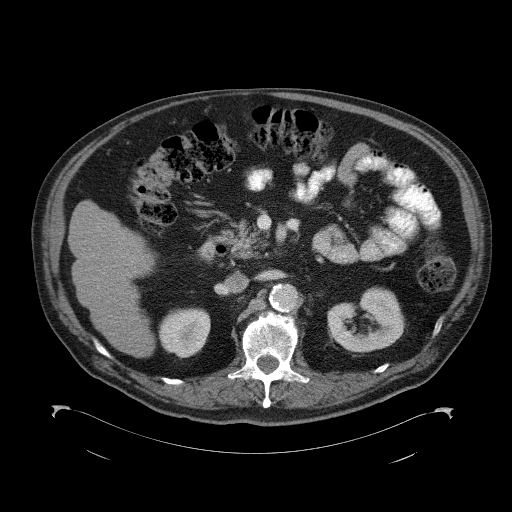
Axial slice 63 of 98 of a contrast-enhanced abdominal CT (slice 1 is the lowest), 120 kVp, kernel B41f; 5.00 mm slice thickness and 0.965 mm pixels.
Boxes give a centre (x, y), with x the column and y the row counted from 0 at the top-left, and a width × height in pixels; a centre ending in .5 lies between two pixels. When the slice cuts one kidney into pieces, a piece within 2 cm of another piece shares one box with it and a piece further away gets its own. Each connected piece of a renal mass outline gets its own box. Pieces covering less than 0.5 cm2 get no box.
Two boxes on this slice (two kidney boxes), listed by box centre from the image's left to its right. (1) Right kidney, box centre (184, 333), 53 × 51 pixels (outlined area 2,088 px, about 19.4 cm2). (2) Left kidney in a box with centre (366, 319), 79 × 67 pixels (outlined area 3,567 px, about 33.2 cm2). No renal mass is outlined on this slice.